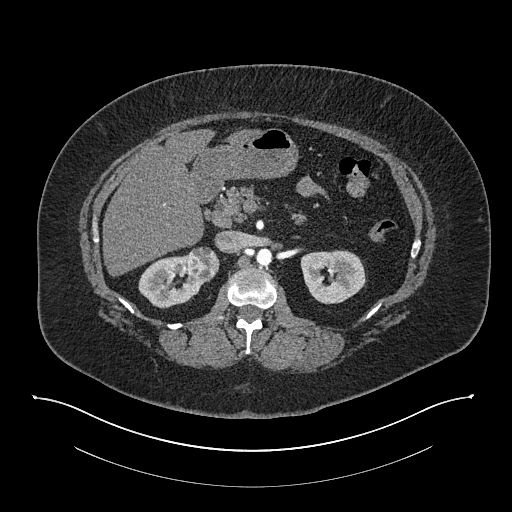
One axial slice (510 of 673, counting up from the lowest) of an arterial-phase abdominal CT acquired with 140 kVp, kernel I30f; each pixel is 0.957 mm and the slice is 1.00 mm thick.
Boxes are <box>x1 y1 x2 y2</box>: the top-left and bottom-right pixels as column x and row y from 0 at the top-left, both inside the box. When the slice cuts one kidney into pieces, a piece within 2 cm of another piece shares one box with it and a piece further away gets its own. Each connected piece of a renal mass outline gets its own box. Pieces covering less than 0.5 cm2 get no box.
Boxed on this slice (two kidney boxes and one renal mass box), listed by box centre from the image's left to its right: (1) Right kidney at <box>138 253 205 308</box> (outlined area 2,353 px, about 21.6 cm2). (2) Right renal mass at <box>188 247 219 281</box> (outlined area 897 px, about 8.2 cm2). (3) Left kidney: <box>300 250 366 304</box> (outlined area 2,779 px, about 25.5 cm2).